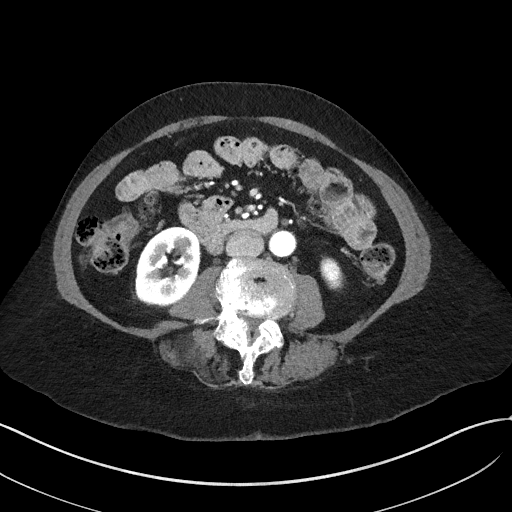
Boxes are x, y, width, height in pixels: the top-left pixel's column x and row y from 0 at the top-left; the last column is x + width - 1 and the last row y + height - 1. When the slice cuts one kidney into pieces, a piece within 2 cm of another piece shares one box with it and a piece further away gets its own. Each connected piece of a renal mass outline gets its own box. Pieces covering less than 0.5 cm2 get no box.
This is axial slice 12 of 50 (slice 1 is the lowest) of an arterial-phase abdominal CT with contrast; each pixel is 0.758 mm and the slice is 3.00 mm thick. Two boxes on this slice (two kidney boxes), listed by box centre from the image's left to its right. (1) Right kidney, box x 135, y 226, width 66, height 81 (outlined area 3,989 px, about 22.9 cm2). (2) Box x 320, y 256, width 24, height 34: left kidney (outlined area 592 px, about 3.4 cm2). No renal mass outline on this slice.
Tube voltage 100 kVp; convolution kernel I41f.